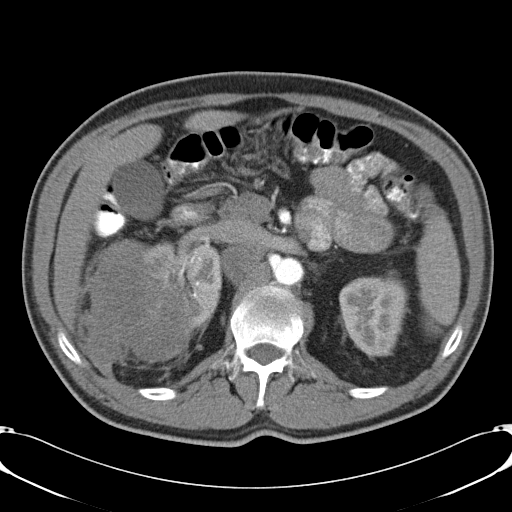
Axial slice 30 of 57 of a contrast-enhanced abdominal CT (slice 1 is the lowest), 120 kVp, kernel B31f; 5.00 mm slice thickness and 0.732 mm pixels.
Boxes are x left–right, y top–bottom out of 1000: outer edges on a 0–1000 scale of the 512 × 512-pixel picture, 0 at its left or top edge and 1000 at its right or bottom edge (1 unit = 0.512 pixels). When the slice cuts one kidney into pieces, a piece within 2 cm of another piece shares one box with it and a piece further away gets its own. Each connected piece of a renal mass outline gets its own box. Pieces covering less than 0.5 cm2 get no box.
Boxed on this slice (two kidney boxes and one renal mass box), listed by box centre from the image's left to its right: (1) Right renal mass, box x 160–373, y 465–715 out of 1000 (outlined area 9,925 px, about 53.2 cm2). (2) Right kidney at x 287–436, y 467–654 out of 1000 (outlined area 4,250 px, about 22.8 cm2). (3) Left kidney, box x 662–799, y 539–699 out of 1000 (outlined area 4,441 px, about 23.8 cm2).